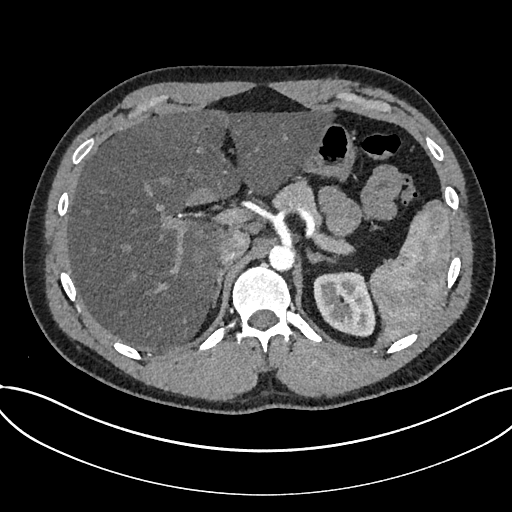
One axial slice (547 of 735, counting up from the lowest) of an arterial-phase abdominal CT acquired with 120 kVp, kernel I30f; each pixel is 0.789 mm and the slice is 1.00 mm thick.
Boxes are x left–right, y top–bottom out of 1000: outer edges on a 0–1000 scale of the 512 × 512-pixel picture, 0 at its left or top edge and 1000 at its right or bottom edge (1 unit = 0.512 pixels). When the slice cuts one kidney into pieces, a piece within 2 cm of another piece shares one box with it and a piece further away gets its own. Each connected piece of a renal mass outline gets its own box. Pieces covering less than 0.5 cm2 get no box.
Box x 611–734, y 529–660 out of 1000: kidney (outlined area 3,185 px, about 19.8 cm2). No renal mass outline on this slice.